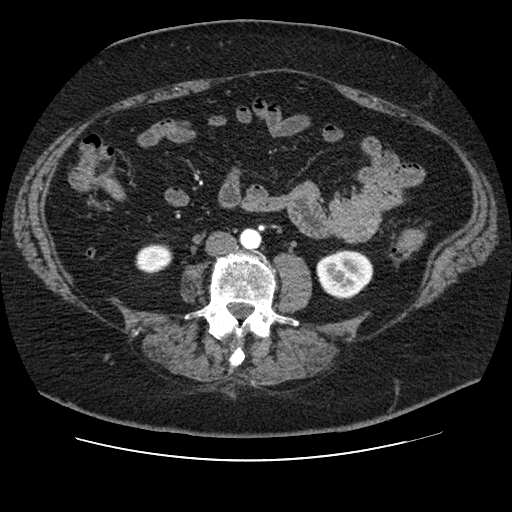
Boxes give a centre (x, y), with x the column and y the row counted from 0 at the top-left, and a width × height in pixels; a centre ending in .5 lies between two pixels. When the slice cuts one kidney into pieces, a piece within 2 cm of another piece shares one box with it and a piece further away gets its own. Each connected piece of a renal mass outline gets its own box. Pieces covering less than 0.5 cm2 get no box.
Arterial-phase contrast-enhanced abdominal CT, axial slice 24 of 106 (counted from the lowest slice); 2.50 mm thick, 0.742 mm per pixel. Two boxes on this slice (two kidney boxes), listed by box centre from the image's left to its right. (1) Right kidney, box centre (153.5, 258.5), 38 × 30 pixels (outlined area 884 px, about 4.9 cm2). (2) Box centre (344.5, 274.5), 58 × 50 pixels: left kidney (outlined area 2,199 px, about 12.1 cm2). No renal mass outline on this slice.
Acquired at 120 kVp and reconstructed with the STANDARD kernel.